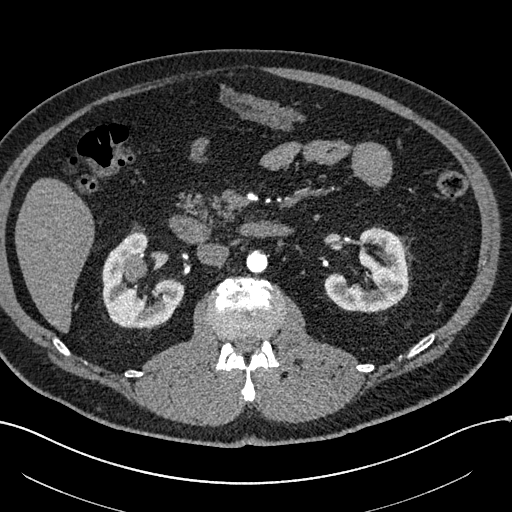
Abdominal CT with intravenous contrast, arterial phase, axial plane, 120 kVp, kernel I30f. Slice 333/602 from the bottom of the scan; thickness 1.00 mm; pixel size 0.799 mm.
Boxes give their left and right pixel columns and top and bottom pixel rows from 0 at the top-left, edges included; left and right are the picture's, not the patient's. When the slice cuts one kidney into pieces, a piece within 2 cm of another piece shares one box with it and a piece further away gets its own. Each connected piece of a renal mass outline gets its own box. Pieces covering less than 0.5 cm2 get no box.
Boxed on this slice (two kidney boxes and one renal mass box), listed by box centre from the image's left to its right: (1) Box with left 121, top 254, right 146, bottom 280: right renal mass (outlined area 538 px, about 3.4 cm2). (2) Right kidney in the box with left 102, top 231, right 184, bottom 328 (outlined area 4,552 px, about 29.0 cm2). (3) Box with left 324, top 227, right 408, bottom 312: left kidney (outlined area 4,374 px, about 27.9 cm2).